Arterial-phase contrast-enhanced abdominal CT, axial slice 53 of 88 (counted from the lowest slice); tube voltage 120 kVp, convolution kernel B41f; slices 5.00 mm thick, 0.723 mm per pixel.
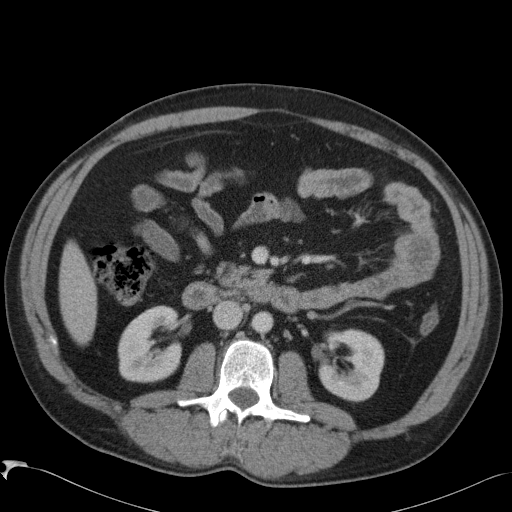
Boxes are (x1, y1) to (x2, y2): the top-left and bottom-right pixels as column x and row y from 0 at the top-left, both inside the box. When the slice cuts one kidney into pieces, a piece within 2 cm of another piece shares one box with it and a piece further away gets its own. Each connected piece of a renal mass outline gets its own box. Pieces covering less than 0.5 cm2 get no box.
Boxed on this slice (two kidney boxes), listed by box centre from the image's left to its right: (1) Right kidney from (118, 305) to (181, 382) (outlined area 3,790 px, about 19.8 cm2). (2) Left kidney, box (318, 328) to (384, 402) (outlined area 3,710 px, about 19.4 cm2). No renal mass is outlined on this slice.